Abdominal CT with intravenous contrast, arterial phase, axial plane, 120 kVp, kernel I31f. Slice 163/345 from the bottom of the scan; thickness 2.00 mm; pixel size 0.977 mm.
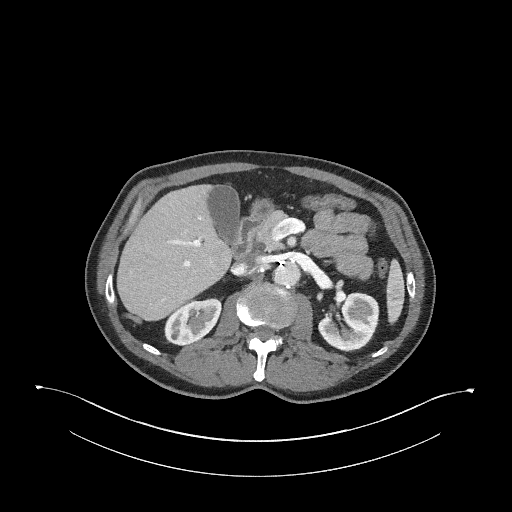
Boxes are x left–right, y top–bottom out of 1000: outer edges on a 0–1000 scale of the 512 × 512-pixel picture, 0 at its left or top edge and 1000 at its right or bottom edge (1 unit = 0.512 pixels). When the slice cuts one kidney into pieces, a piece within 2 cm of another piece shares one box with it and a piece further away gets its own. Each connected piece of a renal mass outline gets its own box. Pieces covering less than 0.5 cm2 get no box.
Two kidney boxes on this slice; by box centre, from the image's left to its right: (1) Box x 320–434, y 580–676 out of 1000: right kidney (outlined area 1,991 px, about 19.0 cm2). (2) Left kidney, box x 621–742, y 570–689 out of 1000 (outlined area 2,725 px, about 26.0 cm2). No renal mass outline on this slice.